Abdominal CT with intravenous contrast, arterial phase, axial plane, 120 kVp, kernel B30f. Slice 65/97 from the bottom of the scan; thickness 5.00 mm; pixel size 0.824 mm.
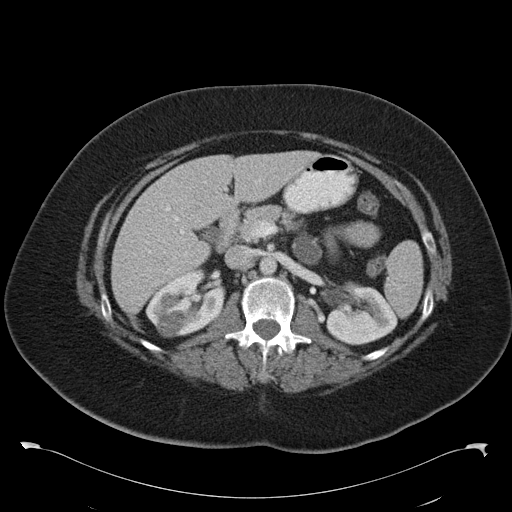
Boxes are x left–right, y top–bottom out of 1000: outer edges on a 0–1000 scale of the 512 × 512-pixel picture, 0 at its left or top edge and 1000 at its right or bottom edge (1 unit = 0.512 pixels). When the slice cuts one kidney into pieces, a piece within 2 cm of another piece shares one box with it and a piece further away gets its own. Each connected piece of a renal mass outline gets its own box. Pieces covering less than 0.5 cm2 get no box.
Two kidney boxes and one renal mass box on this slice; by box centre, from the image's left to its right: (1) Right renal mass at x 305–361, y 605–660 out of 1000 (outlined area 602 px, about 4.1 cm2). (2) Right kidney, box x 285–439, y 523–654 out of 1000 (outlined area 3,112 px, about 21.1 cm2). (3) Left kidney at x 637–777, y 559–676 out of 1000 (outlined area 2,993 px, about 20.3 cm2).